Axial slice 689 of 987 of a contrast-enhanced abdominal CT in the arterial phase (slice 1 is the lowest), 120 kVp, kernel I26f; 1.00 mm slice thickness and 0.977 mm pixels.
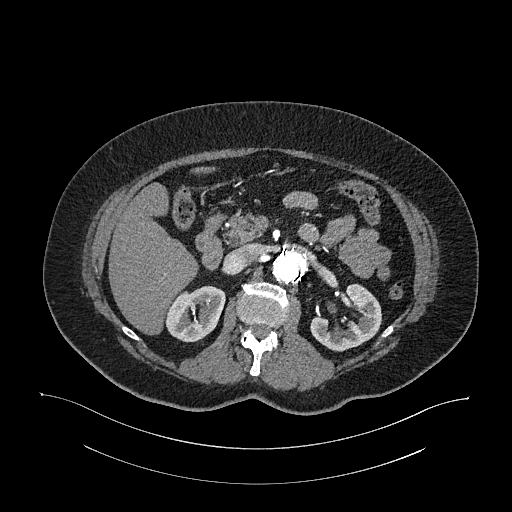
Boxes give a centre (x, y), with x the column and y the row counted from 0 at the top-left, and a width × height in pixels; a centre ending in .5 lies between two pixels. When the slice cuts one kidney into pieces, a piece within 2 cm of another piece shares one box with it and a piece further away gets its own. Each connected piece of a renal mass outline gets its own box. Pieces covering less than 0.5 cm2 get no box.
Boxed on this slice (two kidney boxes), listed by box centre from the image's left to its right: (1) Right kidney in a box with centre (195, 313.5), 61 × 58 pixels (outlined area 2,503 px, about 23.9 cm2). (2) Box centre (345.5, 317), 72 × 69 pixels: left kidney (outlined area 2,842 px, about 27.1 cm2). No renal mass outline on this slice.